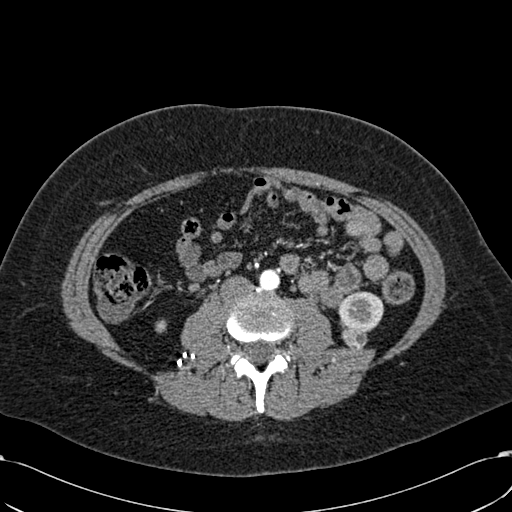
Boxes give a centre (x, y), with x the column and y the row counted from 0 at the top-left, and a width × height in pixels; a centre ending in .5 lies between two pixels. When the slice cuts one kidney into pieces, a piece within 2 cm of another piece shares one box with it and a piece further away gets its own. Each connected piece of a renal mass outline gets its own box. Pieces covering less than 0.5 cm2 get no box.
Arterial-phase contrast-enhanced abdominal CT, axial slice 265 of 532 (counted from the lowest slice); 1.00 mm thick, 0.713 mm per pixel. Boxed on this slice (two kidney boxes and one renal mass box), listed by box centre from the image's left to its right: (1) Box centre (160.5, 325.5), 12 × 14 pixels: right kidney (outlined area 127 px, about 0.6 cm2). (2) Left renal mass in a box with centre (354, 338), 27 × 23 pixels (outlined area 449 px, about 2.3 cm2). (3) Left kidney, box centre (360.5, 311.5), 46 × 42 pixels (outlined area 1,450 px, about 7.4 cm2).
Tube voltage 120 kVp; convolution kernel B30f.